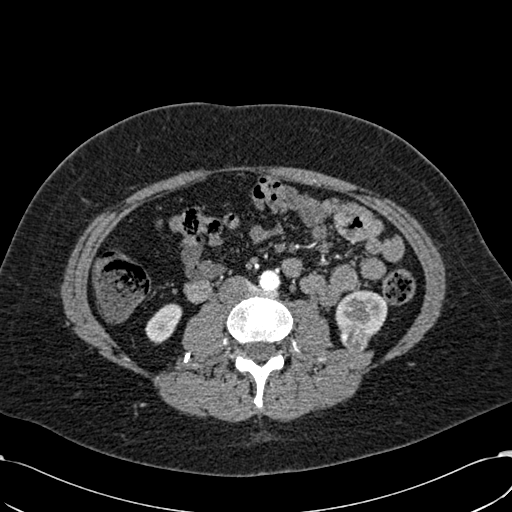
Axial slice 274 of 532 of a contrast-enhanced abdominal CT in the arterial phase (slice 1 is the lowest), 120 kVp, kernel B30f; 1.00 mm slice thickness and 0.713 mm pixels.
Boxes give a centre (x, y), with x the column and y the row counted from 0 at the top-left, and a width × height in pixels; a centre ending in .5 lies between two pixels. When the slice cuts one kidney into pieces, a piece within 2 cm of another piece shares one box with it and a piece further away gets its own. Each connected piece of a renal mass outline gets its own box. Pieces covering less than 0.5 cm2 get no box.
Three boxes on this slice (two kidney boxes and one renal mass box), listed by box centre from the image's left to its right. (1) Right kidney, box centre (163.5, 323.5), 38 × 42 pixels (outlined area 998 px, about 5.1 cm2). (2) Left renal mass, box centre (355, 340.5), 31 × 32 pixels (outlined area 682 px, about 3.5 cm2). (3) Left kidney, box centre (361.5, 313.5), 54 × 48 pixels (outlined area 1,770 px, about 9.0 cm2).